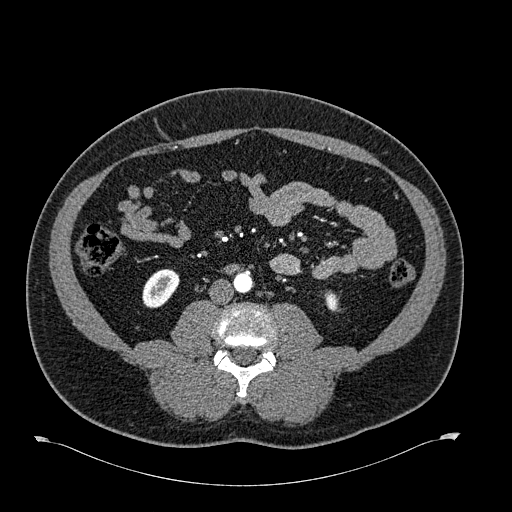
One axial slice (266 of 723, counting up from the lowest) of an arterial-phase abdominal CT acquired with 120 kVp, kernel B30f; each pixel is 0.895 mm and the slice is 1.00 mm thick.
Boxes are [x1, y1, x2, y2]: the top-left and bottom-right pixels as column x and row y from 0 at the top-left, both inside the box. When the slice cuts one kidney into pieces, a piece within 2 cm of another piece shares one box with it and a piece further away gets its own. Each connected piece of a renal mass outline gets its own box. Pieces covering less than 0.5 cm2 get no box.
Boxed on this slice (two kidney boxes), listed by box centre from the image's left to its right: (1) Right kidney, box [142, 269, 179, 308] (outlined area 1,080 px, about 8.6 cm2). (2) Left kidney at [324, 290, 339, 311] (outlined area 247 px, about 2.0 cm2). No renal mass outline on this slice.